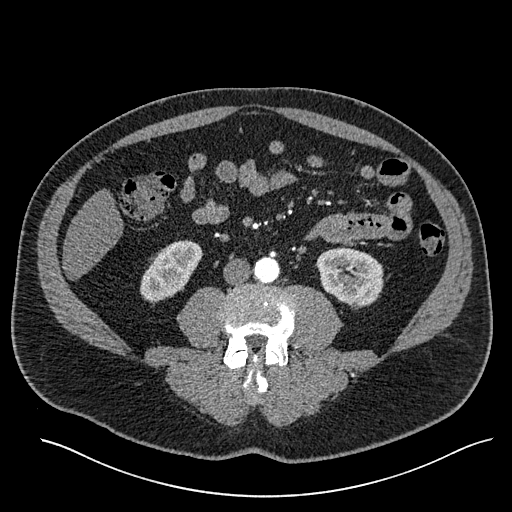
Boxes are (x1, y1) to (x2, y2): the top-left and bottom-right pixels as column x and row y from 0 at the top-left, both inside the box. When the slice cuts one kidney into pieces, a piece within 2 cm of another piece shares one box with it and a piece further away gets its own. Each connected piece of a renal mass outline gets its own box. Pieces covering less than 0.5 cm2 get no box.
Arterial-phase contrast-enhanced abdominal CT, axial slice 221 of 527 (counted from the lowest slice); 1.00 mm thick, 0.859 mm per pixel. Two boxes on this slice (two kidney boxes), listed by box centre from the image's left to its right. (1) Box (140, 240) to (203, 302): right kidney (outlined area 2,538 px, about 18.7 cm2). (2) Left kidney, box (315, 247) to (383, 309) (outlined area 3,155 px, about 23.3 cm2). No renal mass is outlined on this slice.
Scan settings: 120 kVp, I30f reconstruction kernel.